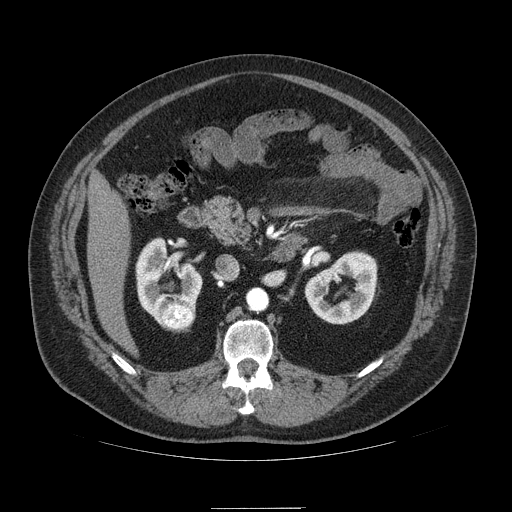
Axial slice 55 of 121 of a contrast-enhanced abdominal CT in the arterial phase (slice 1 is the lowest), 120 kVp, kernel STANDARD; 2.50 mm slice thickness and 0.861 mm pixels.
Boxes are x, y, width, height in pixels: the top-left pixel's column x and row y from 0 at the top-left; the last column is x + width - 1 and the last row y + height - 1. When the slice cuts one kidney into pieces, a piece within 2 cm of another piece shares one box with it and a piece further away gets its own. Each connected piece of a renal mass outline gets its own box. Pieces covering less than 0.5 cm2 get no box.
Three boxes on this slice (two kidney boxes and one renal mass box), listed by box centre from the image's left to its right. (1) Right kidney at x 135, y 238, width 68, height 84 (outlined area 3,196 px, about 23.7 cm2). (2) Right renal mass, box x 158, y 298, width 38, height 34 (outlined area 1,003 px, about 7.4 cm2). (3) Left kidney, box x 305, y 251, width 73, height 74 (outlined area 3,364 px, about 25.0 cm2).